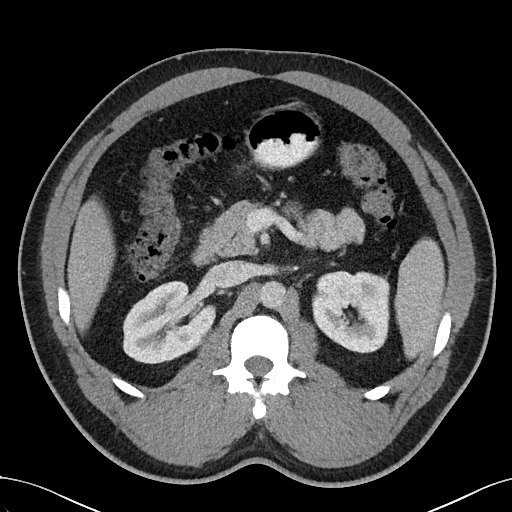
Abdominal CT with intravenous contrast, arterial phase, axial plane, 100 kVp, kernel I40f. Slice 70/102 from the bottom of the scan; thickness 5.00 mm; pixel size 0.781 mm.
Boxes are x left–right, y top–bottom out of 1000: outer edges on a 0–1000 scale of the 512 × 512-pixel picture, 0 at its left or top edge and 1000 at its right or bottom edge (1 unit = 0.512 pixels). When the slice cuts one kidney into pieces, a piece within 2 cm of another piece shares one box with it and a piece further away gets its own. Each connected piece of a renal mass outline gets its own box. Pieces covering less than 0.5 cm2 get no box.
Two boxes on this slice (two kidney boxes), listed by box centre from the image's left to its right. (1) Box x 238–424, y 549–713 out of 1000: right kidney (outlined area 5,584 px, about 34.1 cm2). (2) Left kidney, box x 609–764, y 527–691 out of 1000 (outlined area 5,306 px, about 32.4 cm2). No renal mass is outlined on this slice.